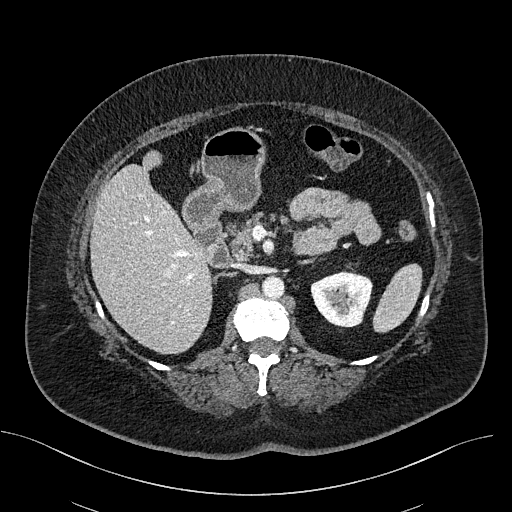
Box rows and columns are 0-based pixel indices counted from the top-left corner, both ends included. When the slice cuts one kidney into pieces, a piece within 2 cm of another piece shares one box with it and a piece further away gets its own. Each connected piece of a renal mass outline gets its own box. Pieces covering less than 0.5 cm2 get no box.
Slice 325/470 of a contrast-enhanced abdominal CT, counting up from the lowest; pixel size 0.824 mm, slice thickness 2.00 mm. Box rows 269–327, columns 310–372: left kidney (outlined area 2,687 px, about 18.3 cm2). No renal mass outline on this slice.
Acquired at 100 kVp and reconstructed with the I40f kernel.